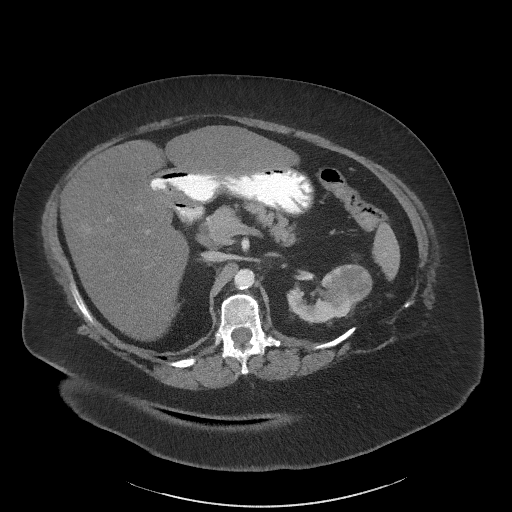
One axial slice (43 of 61, counting up from the lowest) of an arterial-phase abdominal CT acquired with 140 kVp, kernel I41f; each pixel is 0.947 mm and the slice is 3.00 mm thick.
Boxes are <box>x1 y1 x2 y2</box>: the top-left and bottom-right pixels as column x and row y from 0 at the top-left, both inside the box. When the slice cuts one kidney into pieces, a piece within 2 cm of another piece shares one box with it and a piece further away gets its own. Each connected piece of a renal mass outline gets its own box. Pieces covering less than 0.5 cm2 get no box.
Boxed on this slice (one kidney box and one renal mass box), listed by box centre from the image's left to its right: (1) At <box>286 276 334 323</box>: left kidney (outlined area 1,383 px, about 12.4 cm2). (2) At <box>321 263 372 318</box>: left renal mass (outlined area 1,924 px, about 17.3 cm2).